One axial slice (68 of 103, counting up from the lowest) of a contrast-enhanced abdominal CT acquired with 120 kVp, kernel B31f; each pixel is 0.801 mm and the slice is 5.00 mm thick.
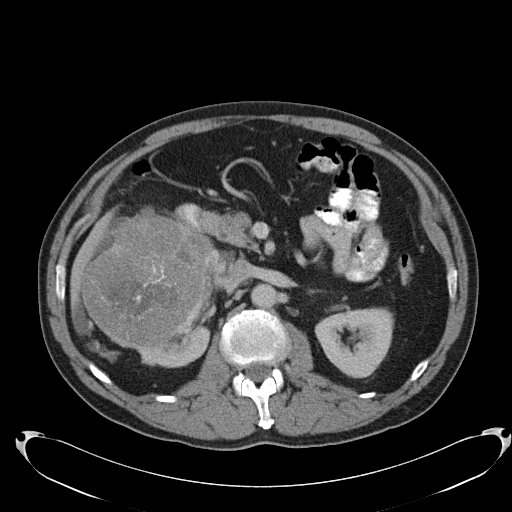
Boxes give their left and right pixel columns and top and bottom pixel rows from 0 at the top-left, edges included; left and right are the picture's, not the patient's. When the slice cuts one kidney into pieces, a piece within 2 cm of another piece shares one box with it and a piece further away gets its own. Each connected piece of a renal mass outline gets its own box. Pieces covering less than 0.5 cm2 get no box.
Three boxes on this slice (two kidney boxes and one renal mass box), listed by box centre from the image's left to its right. (1) Right renal mass, the box with left 81, top 206, right 225, bottom 348 (outlined area 15,425 px, about 98.9 cm2). (2) Right kidney in the box with left 131, top 325, right 210, bottom 367 (outlined area 1,700 px, about 10.9 cm2). (3) Left kidney, the box with left 314, top 307, right 394, bottom 378 (outlined area 4,137 px, about 26.5 cm2).